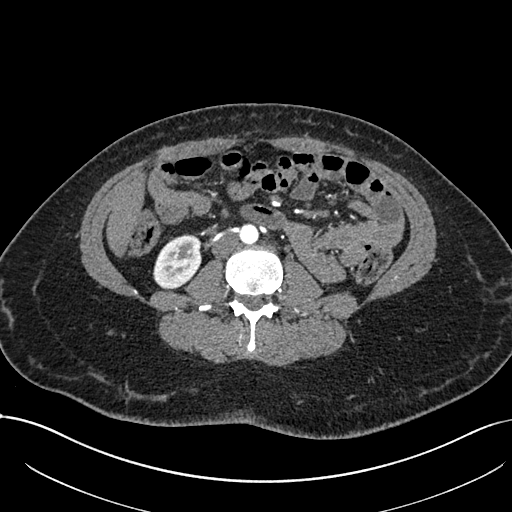
Axial slice 329 of 738 of a contrast-enhanced abdominal CT in the arterial phase (slice 1 is the lowest), 120 kVp, kernel I30f; 1.00 mm slice thickness and 0.789 mm pixels.
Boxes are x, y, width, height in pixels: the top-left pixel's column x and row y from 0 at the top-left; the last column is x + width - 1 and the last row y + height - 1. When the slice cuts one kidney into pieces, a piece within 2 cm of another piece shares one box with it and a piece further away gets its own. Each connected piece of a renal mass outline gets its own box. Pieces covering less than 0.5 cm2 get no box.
Right kidney at x 153, y 234, width 49, height 56 (outlined area 2,028 px, about 12.6 cm2). This slice carries no renal mass outline.